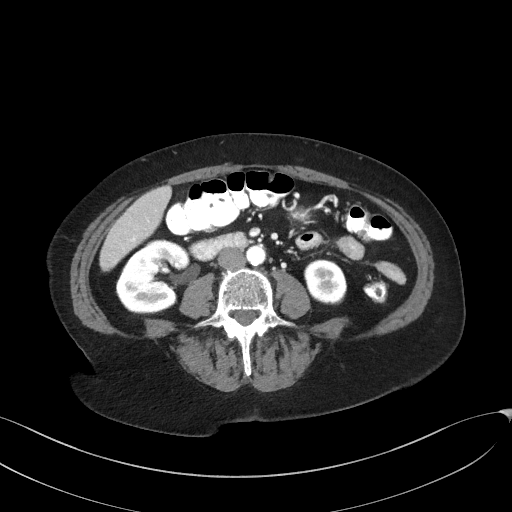
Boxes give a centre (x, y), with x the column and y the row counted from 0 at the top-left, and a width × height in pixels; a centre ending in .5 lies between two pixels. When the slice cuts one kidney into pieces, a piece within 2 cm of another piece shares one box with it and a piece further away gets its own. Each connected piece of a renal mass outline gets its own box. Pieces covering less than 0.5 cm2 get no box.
Slice 76/129 of a contrast-enhanced abdominal CT in the arterial phase, counting up from the lowest; pixel size 0.779 mm, slice thickness 3.00 mm. Two boxes on this slice (two kidney boxes), listed by box centre from the image's left to its right. (1) Right kidney in a box with centre (152.5, 276), 74 × 75 pixels (outlined area 4,018 px, about 24.4 cm2). (2) Left kidney, box centre (325, 281.5), 43 × 46 pixels (outlined area 1,575 px, about 9.6 cm2). This slice carries no renal mass outline.
Scan settings: 100 kVp, I41f reconstruction kernel.